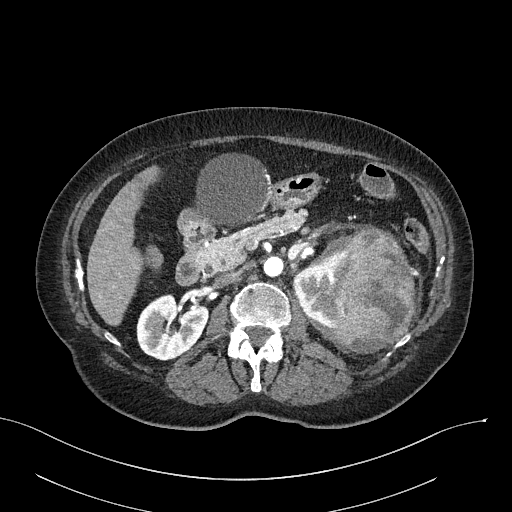
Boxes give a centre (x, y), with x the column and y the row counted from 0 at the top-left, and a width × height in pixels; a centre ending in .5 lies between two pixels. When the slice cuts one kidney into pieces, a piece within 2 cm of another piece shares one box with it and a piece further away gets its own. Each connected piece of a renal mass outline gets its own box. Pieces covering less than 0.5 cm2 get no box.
Slice 144/316 of a contrast-enhanced abdominal CT in the arterial phase, counting up from the lowest; pixel size 0.840 mm, slice thickness 2.00 mm. Two kidney boxes and one renal mass box on this slice; by box centre, from the image's left to its right: (1) Right kidney, box centre (171.5, 326.5), 72 × 68 pixels (outlined area 3,490 px, about 24.6 cm2). (2) Left kidney in a box with centre (317.5, 294), 52 × 67 pixels (outlined area 2,353 px, about 16.6 cm2). (3) Left renal mass in a box with centre (362.5, 288.5), 106 × 130 pixels (outlined area 8,790 px, about 62.0 cm2).
Acquired at 100 kVp and reconstructed with the I40f kernel.